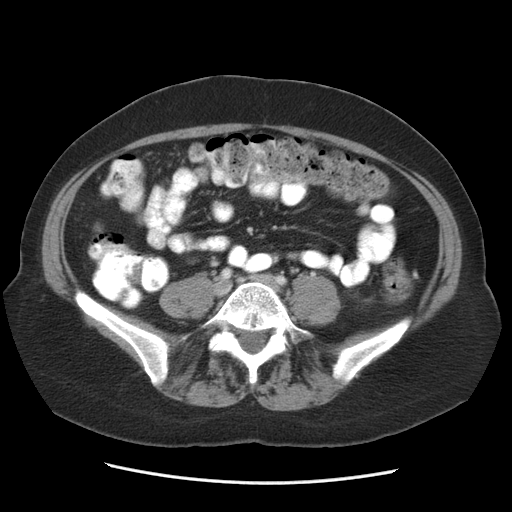
Contrast-enhanced abdominal CT, axial slice 35 of 84 (counted from the lowest slice); tube voltage 140 kVp, convolution kernel STANDARD; slices 5.00 mm thick, 0.717 mm per pixel.
Neither a kidney nor a renal mass is outlined here. Only kidneys and renal masses are outlined anywhere in this scan; other structures are never outlined.